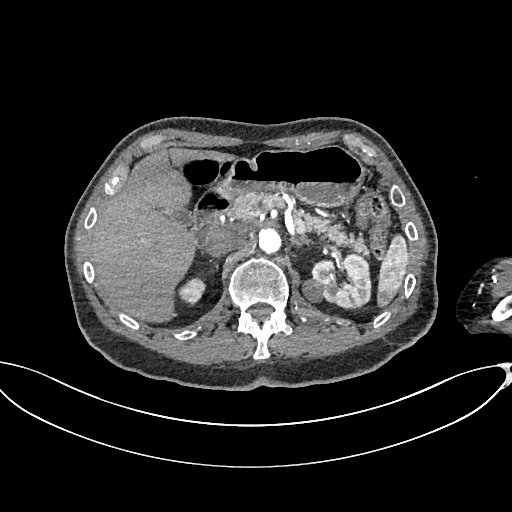
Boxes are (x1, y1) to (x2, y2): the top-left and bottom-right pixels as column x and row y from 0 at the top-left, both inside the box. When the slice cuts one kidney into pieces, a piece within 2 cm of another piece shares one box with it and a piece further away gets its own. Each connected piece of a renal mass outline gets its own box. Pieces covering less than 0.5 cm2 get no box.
This is axial slice 456 of 665 (slice 1 is the lowest) of an arterial-phase abdominal CT with contrast; each pixel is 0.828 mm and the slice is 1.00 mm thick. Three boxes on this slice (two kidney boxes and one renal mass box), listed by box centre from the image's left to its right. (1) Box (178, 277) to (205, 305): right kidney (outlined area 549 px, about 3.8 cm2). (2) Left renal mass from (302, 278) to (322, 302) (outlined area 396 px, about 2.7 cm2). (3) Left kidney from (312, 253) to (371, 308) (outlined area 2,489 px, about 17.1 cm2).
Scan settings: 100 kVp, I26f reconstruction kernel.